One axial slice (345 of 541, counting up from the lowest) of an arterial-phase abdominal CT acquired with 120 kVp, kernel I30f; each pixel is 0.834 mm and the slice is 1.00 mm thick.
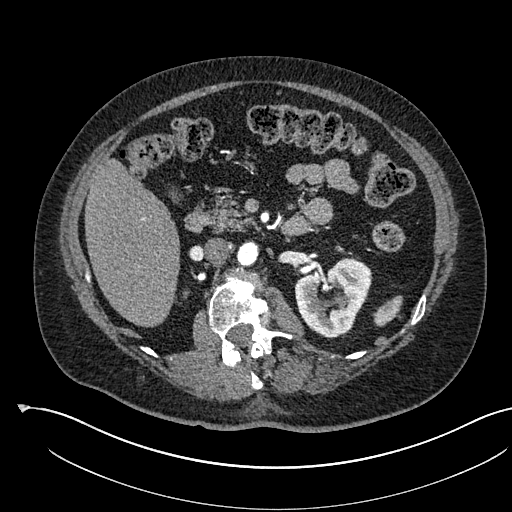
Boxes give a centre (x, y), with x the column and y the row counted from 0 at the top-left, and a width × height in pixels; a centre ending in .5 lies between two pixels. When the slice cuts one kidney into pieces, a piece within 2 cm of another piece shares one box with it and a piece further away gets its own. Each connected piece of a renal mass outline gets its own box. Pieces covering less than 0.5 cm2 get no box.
Left kidney, box centre (333, 297.5), 79 × 82 pixels (outlined area 4,308 px, about 30.0 cm2). No renal mass is outlined on this slice.